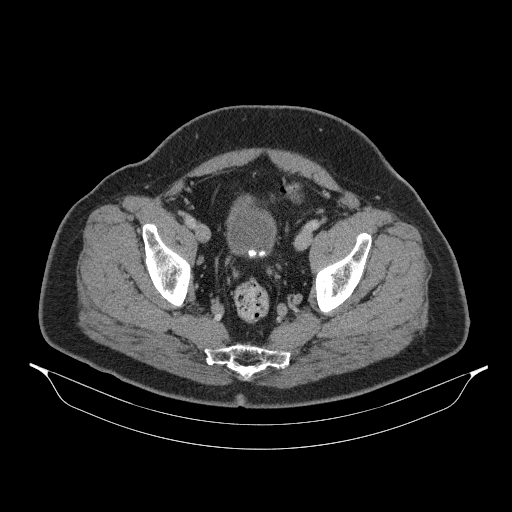
Axial slice 78 of 314 of a contrast-enhanced abdominal CT (slice 1 is the lowest), 130 kVp, kernel B31s; 2.50 mm slice thickness and 0.934 mm pixels.
No kidney and no renal mass is outlined on this slice; the outlines in this scan cover only the kidneys and the renal masses, so nothing is said about any other organ.